Contrast-enhanced abdominal CT, axial slice 43 of 109 (counted from the lowest slice); tube voltage 120 kVp, convolution kernel I30f; slices 3.00 mm thick, 0.742 mm per pixel.
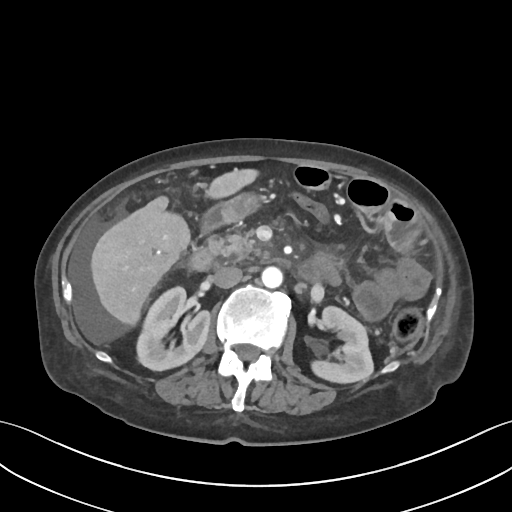
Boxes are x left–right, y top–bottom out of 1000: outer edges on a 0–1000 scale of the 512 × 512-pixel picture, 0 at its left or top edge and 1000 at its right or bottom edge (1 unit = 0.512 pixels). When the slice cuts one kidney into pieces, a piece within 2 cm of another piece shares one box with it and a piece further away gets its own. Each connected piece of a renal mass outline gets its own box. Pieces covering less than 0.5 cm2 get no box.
Boxed on this slice (two kidney boxes), listed by box centre from the image's left to its right: (1) Right kidney at x 266–412, y 555–725 out of 1000 (outlined area 4,549 px, about 25.1 cm2). (2) Left kidney at x 604–732, y 596–748 out of 1000 (outlined area 3,594 px, about 19.8 cm2). No renal mass is outlined on this slice.